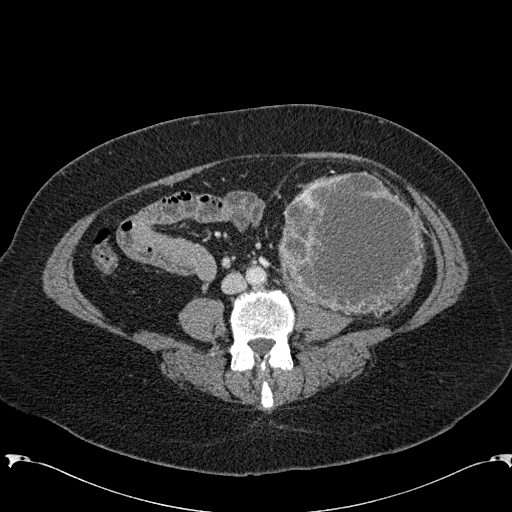
Arterial-phase contrast-enhanced abdominal CT, axial slice 57 of 285 (counted from the lowest slice); tube voltage 120 kVp, convolution kernel B31f; slices 2.00 mm thick, 0.762 mm per pixel.
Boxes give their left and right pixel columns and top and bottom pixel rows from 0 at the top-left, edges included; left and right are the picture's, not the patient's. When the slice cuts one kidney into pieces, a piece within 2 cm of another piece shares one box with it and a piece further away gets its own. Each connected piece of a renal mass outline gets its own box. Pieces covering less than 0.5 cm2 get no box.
Left renal mass in the box with left 278, top 171, right 425, bottom 317 (outlined area 16,668 px, about 96.7 cm2); no kidney is outlined on this slice, but the same outlined renal mass comes within 1 cm of the kidney on another slice.